Axial slice 362 of 787 of a contrast-enhanced abdominal CT (slice 1 is the lowest), 140 kVp, kernel I30f; 1.00 mm slice thickness and 0.910 mm pixels.
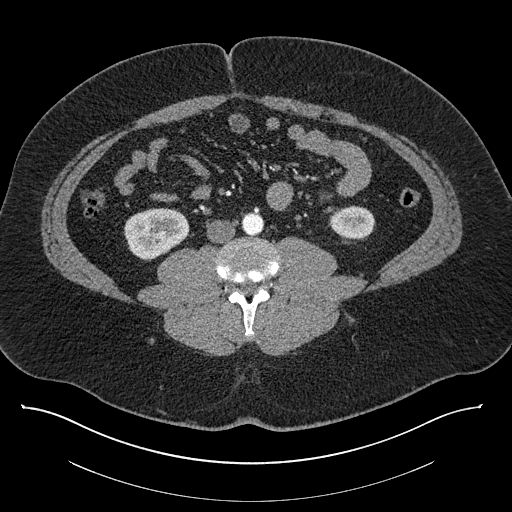
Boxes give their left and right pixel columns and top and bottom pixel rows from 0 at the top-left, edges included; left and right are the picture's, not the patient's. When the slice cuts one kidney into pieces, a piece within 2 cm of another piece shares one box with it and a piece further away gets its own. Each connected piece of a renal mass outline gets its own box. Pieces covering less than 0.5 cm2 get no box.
Boxed on this slice (two kidney boxes), listed by box centre from the image's left to its right: (1) Box with left 123, top 208, right 189, bottom 260: right kidney (outlined area 2,580 px, about 21.4 cm2). (2) Left kidney, the box with left 328, top 205, right 375, bottom 238 (outlined area 1,241 px, about 10.3 cm2). No renal mass is outlined on this slice.